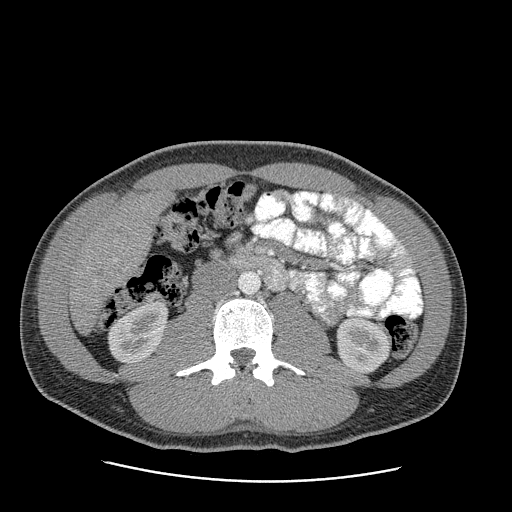
One axial slice (134 of 199, counting up from the lowest) of an arterial-phase abdominal CT acquired with 120 kVp, kernel STANDARD; each pixel is 0.789 mm and the slice is 2.50 mm thick.
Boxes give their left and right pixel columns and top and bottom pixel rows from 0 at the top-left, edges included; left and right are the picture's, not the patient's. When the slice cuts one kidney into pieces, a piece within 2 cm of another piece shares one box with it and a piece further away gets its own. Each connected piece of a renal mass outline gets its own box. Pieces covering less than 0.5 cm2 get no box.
Two kidney boxes on this slice; by box centre, from the image's left to its right: (1) Right kidney in the box with left 108, top 301, right 166, bottom 362 (outlined area 2,681 px, about 16.7 cm2). (2) Left kidney, the box with left 336, top 318, right 390, bottom 374 (outlined area 2,421 px, about 15.1 cm2). No renal mass is outlined on this slice.